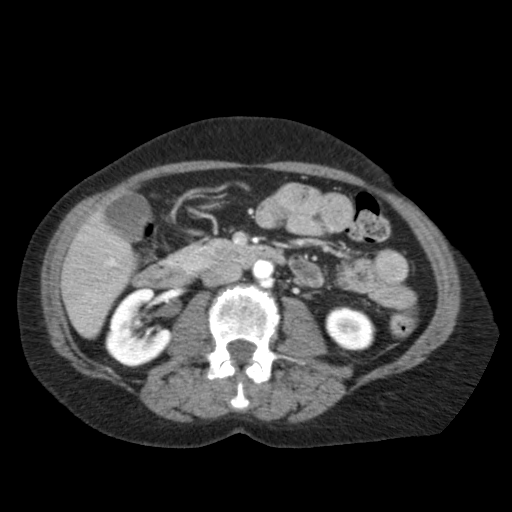
Arterial-phase contrast-enhanced abdominal CT, axial slice 54 of 79 (counted from the lowest slice); tube voltage 120 kVp, convolution kernel FC11; slices 5.00 mm thick, 0.686 mm per pixel.
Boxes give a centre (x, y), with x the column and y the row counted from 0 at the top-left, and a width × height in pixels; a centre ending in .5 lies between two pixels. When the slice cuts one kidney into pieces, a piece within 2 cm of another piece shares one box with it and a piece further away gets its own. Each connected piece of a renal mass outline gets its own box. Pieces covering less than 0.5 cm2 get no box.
Boxed on this slice (two kidney boxes), listed by box centre from the image's left to its right: (1) Right kidney, box centre (138, 327.5), 67 × 80 pixels (outlined area 3,729 px, about 17.5 cm2). (2) Left kidney in a box with centre (350, 328), 51 × 45 pixels (outlined area 1,751 px, about 8.2 cm2). No renal mass is outlined on this slice.